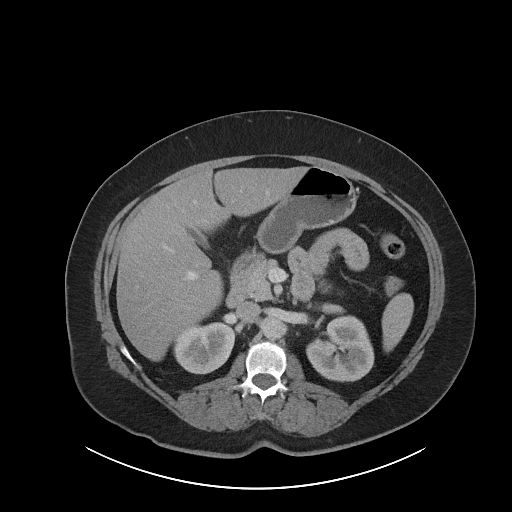
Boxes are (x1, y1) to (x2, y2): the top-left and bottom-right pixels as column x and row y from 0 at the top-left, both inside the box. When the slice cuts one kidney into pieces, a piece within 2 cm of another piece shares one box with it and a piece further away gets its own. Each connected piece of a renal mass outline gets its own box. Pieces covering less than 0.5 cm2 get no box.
Arterial-phase contrast-enhanced abdominal CT, axial slice 58 of 86 (counted from the lowest slice); 5.00 mm thick, 0.977 mm per pixel. Two boxes on this slice (two kidney boxes), listed by box centre from the image's left to its right. (1) Right kidney, box (173, 322) to (236, 374) (outlined area 2,477 px, about 23.6 cm2). (2) Left kidney, box (306, 315) to (374, 381) (outlined area 3,365 px, about 32.1 cm2). No renal mass is outlined on this slice.
Scan settings: 120 kVp, I40f reconstruction kernel.